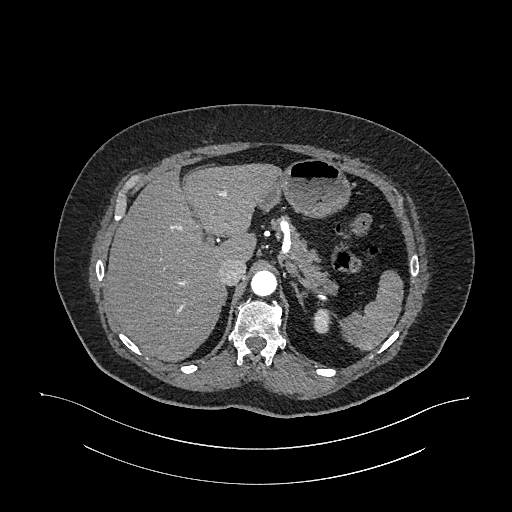
Abdominal CT with intravenous contrast, arterial phase, axial plane, 120 kVp, kernel I26f. Slice 798/987 from the bottom of the scan; thickness 1.00 mm; pixel size 0.977 mm.
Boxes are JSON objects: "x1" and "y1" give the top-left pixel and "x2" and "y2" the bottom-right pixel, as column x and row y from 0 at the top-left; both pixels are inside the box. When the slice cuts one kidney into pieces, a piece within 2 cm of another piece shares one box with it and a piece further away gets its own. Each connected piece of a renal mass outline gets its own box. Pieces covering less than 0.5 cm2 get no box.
Left kidney, box {"x1": 313, "y1": 308, "x2": 332, "y2": 333} (outlined area 386 px, about 3.7 cm2). No renal mass is outlined on this slice.